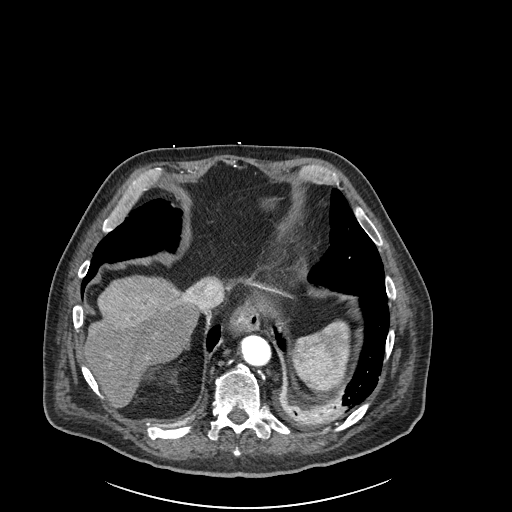
Arterial-phase contrast-enhanced abdominal CT, axial slice 215 of 261 (counted from the lowest slice); tube voltage 120 kVp, convolution kernel I30f; slices 2.00 mm thick, 0.939 mm per pixel.
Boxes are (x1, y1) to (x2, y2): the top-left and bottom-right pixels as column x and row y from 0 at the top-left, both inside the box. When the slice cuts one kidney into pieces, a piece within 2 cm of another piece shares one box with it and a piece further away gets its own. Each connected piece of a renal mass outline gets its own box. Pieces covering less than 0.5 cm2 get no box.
Right kidney, box (144, 368) to (155, 379) (outlined area 92 px, about 0.8 cm2). This slice carries no renal mass outline.